Axial slice 395 of 527 of a contrast-enhanced abdominal CT in the arterial phase (slice 1 is the lowest), 120 kVp, kernel I30f; 1.00 mm slice thickness and 0.859 mm pixels.
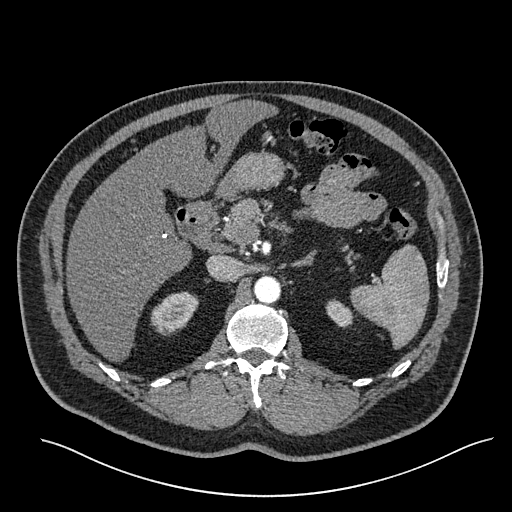
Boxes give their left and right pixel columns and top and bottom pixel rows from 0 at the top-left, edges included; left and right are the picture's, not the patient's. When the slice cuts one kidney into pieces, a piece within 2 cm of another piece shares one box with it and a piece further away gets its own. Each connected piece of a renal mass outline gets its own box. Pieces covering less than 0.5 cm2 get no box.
Two boxes on this slice (two kidney boxes), listed by box centre from the image's left to its right. (1) Right kidney, the box with left 150, top 291, right 198, bottom 335 (outlined area 1,468 px, about 10.8 cm2). (2) Left kidney, the box with left 325, top 299, right 353, bottom 327 (outlined area 544 px, about 4.0 cm2). This slice carries no renal mass outline.